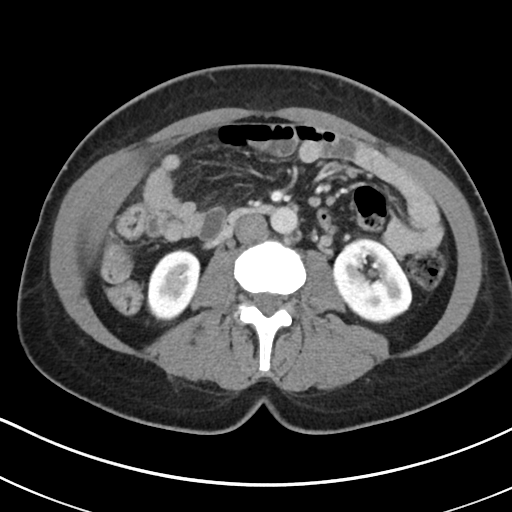
One axial slice (101 of 178, counting up from the lowest) of a contrast-enhanced abdominal CT acquired with 100 kVp, kernel I30f; each pixel is 0.650 mm and the slice is 5.00 mm thick.
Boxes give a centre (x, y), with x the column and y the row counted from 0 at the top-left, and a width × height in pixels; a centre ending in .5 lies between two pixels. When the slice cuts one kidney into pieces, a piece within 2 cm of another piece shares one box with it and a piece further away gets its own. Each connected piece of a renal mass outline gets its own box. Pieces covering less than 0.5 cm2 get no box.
Two boxes on this slice (two kidney boxes), listed by box centre from the image's left to its right. (1) Box centre (173, 285), 55 × 73 pixels: right kidney (outlined area 2,953 px, about 12.5 cm2). (2) Left kidney in a box with centre (372, 279.5), 81 × 88 pixels (outlined area 5,072 px, about 21.5 cm2). No renal mass is outlined on this slice.